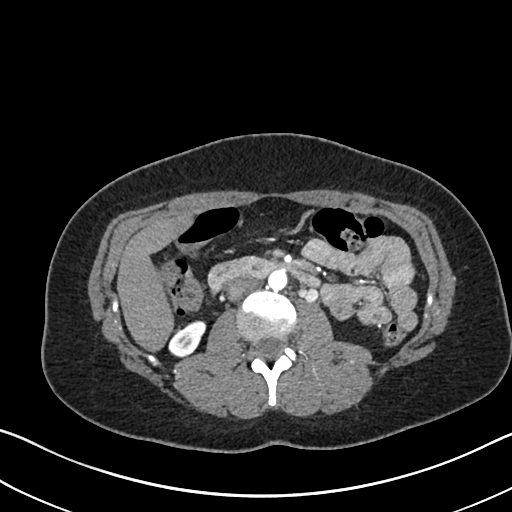
Axial slice 366 of 612 of a contrast-enhanced abdominal CT in the arterial phase (slice 1 is the lowest), 120 kVp, kernel I30f; 1.00 mm slice thickness and 0.703 mm pixels.
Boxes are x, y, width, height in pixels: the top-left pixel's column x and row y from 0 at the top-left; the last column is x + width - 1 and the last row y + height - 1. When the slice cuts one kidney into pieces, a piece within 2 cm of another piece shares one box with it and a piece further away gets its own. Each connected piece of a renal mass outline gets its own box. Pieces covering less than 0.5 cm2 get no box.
Right kidney at x 168, y 320, width 39, height 37 (outlined area 920 px, about 4.5 cm2). No renal mass outline on this slice.